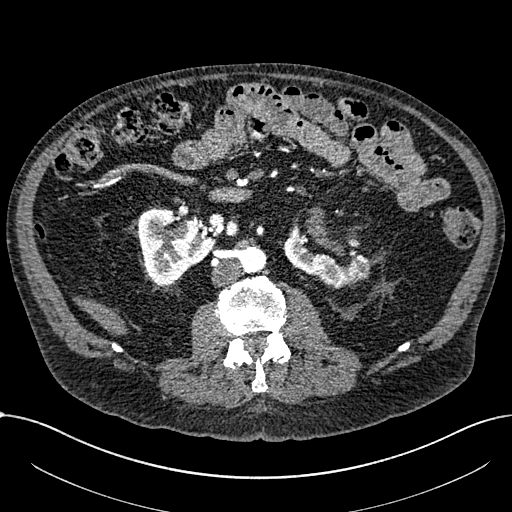
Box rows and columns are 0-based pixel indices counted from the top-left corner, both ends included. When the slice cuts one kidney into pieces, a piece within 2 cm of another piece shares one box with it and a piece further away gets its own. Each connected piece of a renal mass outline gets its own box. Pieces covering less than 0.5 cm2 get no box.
Slice 345/1059 of a contrast-enhanced abdominal CT in the arterial phase, counting up from the lowest; pixel size 0.811 mm, slice thickness 1.00 mm. Two kidney boxes on this slice; by box centre, from the image's left to its right: (1) Box rows 205–286, columns 137–214: right part of the midline-crossing kidney (outlined area 4,166 px, about 27.4 cm2). (2) Left part of the midline-crossing kidney, box rows 224–289, columns 283–371 (outlined area 2,975 px, about 19.5 cm2). No renal mass is outlined on this slice.
Tube voltage 100 kVp; convolution kernel I30f.